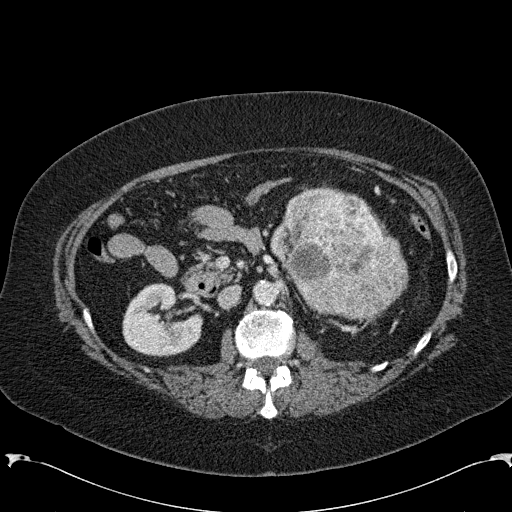
One axial slice (131 of 285, counting up from the lowest) of an arterial-phase abdominal CT acquired with 120 kVp, kernel B31f; each pixel is 0.762 mm and the slice is 2.00 mm thick.
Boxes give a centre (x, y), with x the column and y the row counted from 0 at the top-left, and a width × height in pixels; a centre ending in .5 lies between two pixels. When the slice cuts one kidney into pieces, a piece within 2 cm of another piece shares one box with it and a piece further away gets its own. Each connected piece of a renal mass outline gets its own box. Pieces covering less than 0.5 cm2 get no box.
Two boxes on this slice (one kidney box and one renal mass box), listed by box centre from the image's left to its right. (1) Right kidney, box centre (162, 319.5), 81 × 74 pixels (outlined area 4,306 px, about 25.0 cm2). (2) Box centre (339, 252), 139 × 135 pixels: left renal mass (outlined area 13,143 px, about 76.3 cm2); here it is more than 1 cm from any kidney outline, though on another slice the same outlined renal mass lies within 1 cm of the kidney.